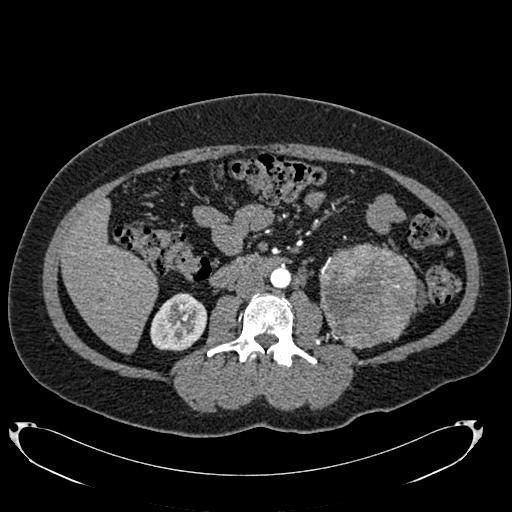
One axial slice (372 of 634, counting up from the lowest) of an arterial-phase abdominal CT acquired with 120 kVp, kernel B20f; each pixel is 0.838 mm and the slice is 1.00 mm thick.
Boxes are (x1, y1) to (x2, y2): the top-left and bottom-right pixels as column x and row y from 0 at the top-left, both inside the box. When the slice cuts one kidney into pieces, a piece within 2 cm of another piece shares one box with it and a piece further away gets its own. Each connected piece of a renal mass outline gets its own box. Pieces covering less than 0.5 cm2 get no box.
Boxed on this slice (one kidney box and one renal mass box), listed by box centre from the image's left to its right: (1) Right kidney from (150, 293) to (207, 351) (outlined area 2,532 px, about 17.8 cm2). (2) Left renal mass, box (319, 243) to (417, 348) (outlined area 8,231 px, about 57.8 cm2); it sits over 1 cm from every kidney outline on this slice, but the same outlined renal mass comes within 1 cm of the kidney on another slice.